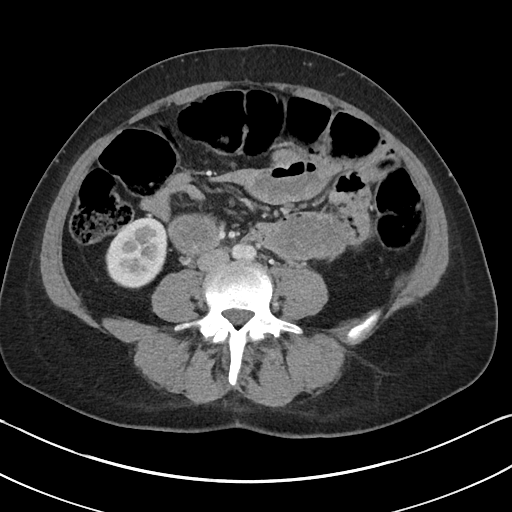
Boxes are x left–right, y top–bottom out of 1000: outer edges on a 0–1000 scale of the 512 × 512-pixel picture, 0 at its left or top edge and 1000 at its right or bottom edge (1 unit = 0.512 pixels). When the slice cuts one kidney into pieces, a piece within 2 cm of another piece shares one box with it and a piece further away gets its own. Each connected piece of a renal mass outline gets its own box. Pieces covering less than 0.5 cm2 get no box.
This is axial slice 50 of 90 (slice 1 is the lowest) of an arterial-phase abdominal CT with contrast; each pixel is 0.703 mm and the slice is 5.00 mm thick. Right kidney at x 205–328, y 422–564 out of 1000 (outlined area 3,451 px, about 17.1 cm2). This slice carries no renal mass outline.
Scan settings: 100 kVp, I40f reconstruction kernel.